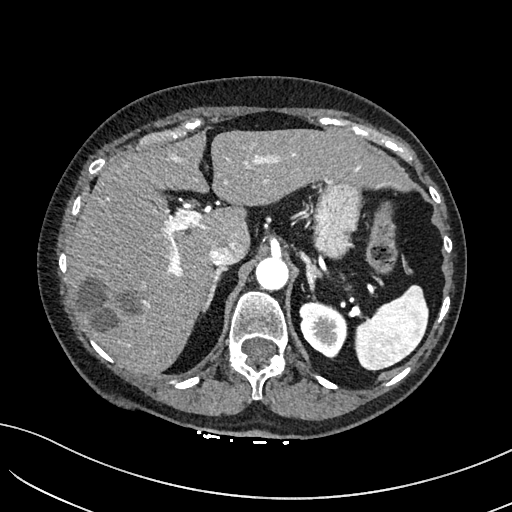
Abdominal CT with intravenous contrast, arterial phase, axial plane, 100 kVp, kernel I40f. Slice 124/234 from the bottom of the scan; thickness 2.00 mm; pixel size 0.699 mm.
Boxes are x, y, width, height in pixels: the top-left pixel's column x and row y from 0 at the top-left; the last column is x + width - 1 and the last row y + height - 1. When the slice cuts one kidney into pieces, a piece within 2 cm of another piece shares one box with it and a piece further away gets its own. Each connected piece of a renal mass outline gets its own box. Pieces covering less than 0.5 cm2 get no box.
Box x 299, y 301, width 49, height 58: left kidney (outlined area 2,034 px, about 9.9 cm2). This slice carries no renal mass outline.